Abdominal CT with intravenous contrast, arterial phase, axial plane, 120 kVp, kernel I30f. Slice 268/683 from the bottom of the scan; thickness 1.00 mm; pixel size 0.738 mm.
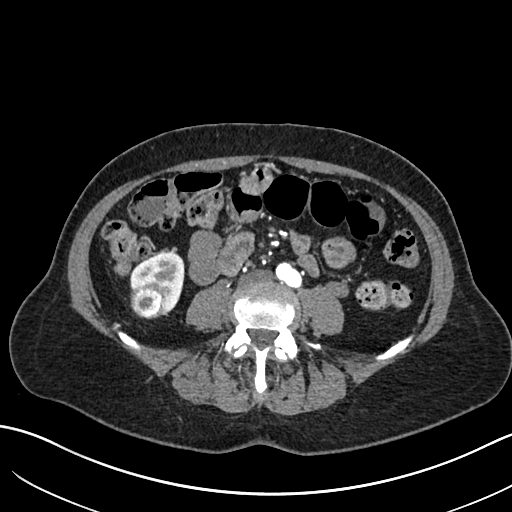
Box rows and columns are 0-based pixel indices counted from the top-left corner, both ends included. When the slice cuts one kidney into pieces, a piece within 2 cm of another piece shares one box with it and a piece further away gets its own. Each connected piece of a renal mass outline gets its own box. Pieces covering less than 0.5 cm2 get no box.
One kidney box and one renal mass box on this slice; by box centre, from the image's left to its right: (1) Right renal mass at rows 282–318, columns 130–164 (outlined area 1,057 px, about 5.8 cm2). (2) Right kidney at rows 251–315, columns 130–184 (outlined area 1,919 px, about 10.5 cm2).